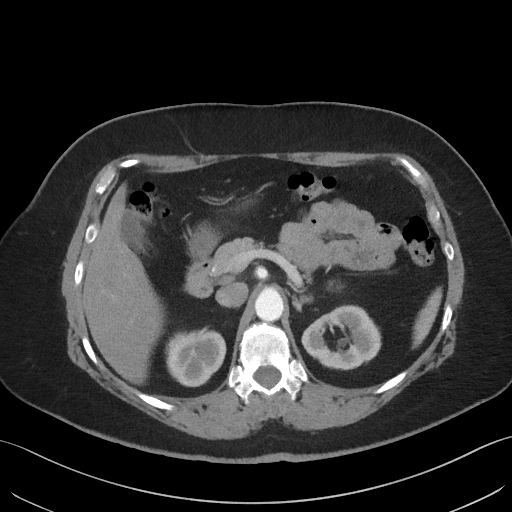
Contrast-enhanced abdominal CT, axial slice 39 of 69 (counted from the lowest slice); tube voltage 140 kVp, convolution kernel I41f; slices 3.00 mm thick, 0.736 mm per pixel.
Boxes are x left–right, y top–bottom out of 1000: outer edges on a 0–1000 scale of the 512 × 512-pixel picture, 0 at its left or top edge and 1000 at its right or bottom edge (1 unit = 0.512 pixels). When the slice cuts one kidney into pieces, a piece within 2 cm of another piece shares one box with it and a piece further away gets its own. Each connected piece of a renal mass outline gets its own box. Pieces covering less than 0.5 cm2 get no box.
Boxed on this slice (two kidney boxes), listed by box centre from the image's left to its right: (1) Box x 324–443, y 645–756 out of 1000: right kidney (outlined area 2,733 px, about 14.8 cm2). (2) Left kidney, box x 588–746, y 594–725 out of 1000 (outlined area 3,641 px, about 19.7 cm2). This slice carries no renal mass outline.